Axial slice 171 of 349 of a contrast-enhanced abdominal CT in the arterial phase (slice 1 is the lowest), 120 kVp, kernel STANDARD; 1.25 mm slice thickness and 0.742 mm pixels.
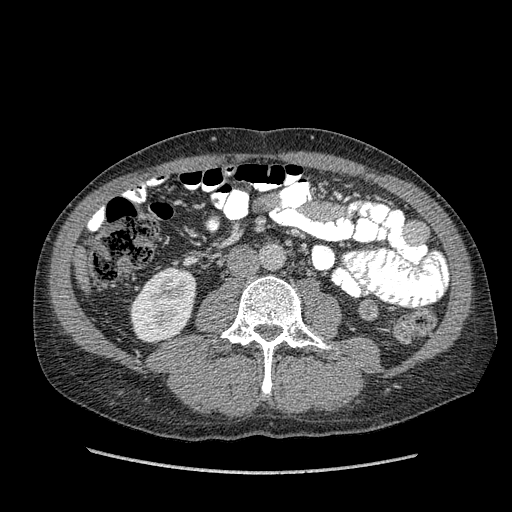
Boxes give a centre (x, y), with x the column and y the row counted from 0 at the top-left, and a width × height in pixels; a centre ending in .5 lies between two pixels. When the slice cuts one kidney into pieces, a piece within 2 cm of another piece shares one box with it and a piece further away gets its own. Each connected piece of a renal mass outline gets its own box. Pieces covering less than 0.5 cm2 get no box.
One kidney box and one renal mass box on this slice; by box centre, from the image's left to its right: (1) Right kidney, box centre (163, 304), 67 × 77 pixels (outlined area 3,870 px, about 21.3 cm2). (2) Box centre (368, 309.5), 21 × 22 pixels: left renal mass (outlined area 374 px, about 2.1 cm2); it sits over 1 cm from every kidney outline on this slice, but the same outlined renal mass comes within 1 cm of the kidney on another slice.